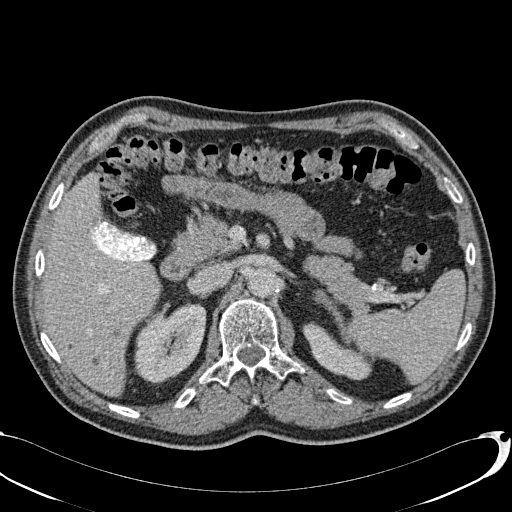
One axial slice (59 of 113, counting up from the lowest) of a contrast-enhanced abdominal CT acquired with 120 kVp, kernel B31f; each pixel is 0.742 mm and the slice is 2.00 mm thick.
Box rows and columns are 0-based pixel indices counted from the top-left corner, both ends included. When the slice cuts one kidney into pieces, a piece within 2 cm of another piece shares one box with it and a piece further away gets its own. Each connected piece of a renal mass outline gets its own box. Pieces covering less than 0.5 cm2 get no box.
Two boxes on this slice (two kidney boxes), listed by box centre from the image's left to its right. (1) Right kidney at rows 304–383, columns 134–206 (outlined area 4,138 px, about 22.8 cm2). (2) Left kidney at rows 321–380, columns 302–372 (outlined area 2,078 px, about 11.4 cm2). This slice carries no renal mass outline.